One axial slice (29 of 304, counting up from the lowest) of an arterial-phase abdominal CT acquired with 100 kVp, kernel I30f; each pixel is 0.809 mm and the slice is 2.00 mm thick.
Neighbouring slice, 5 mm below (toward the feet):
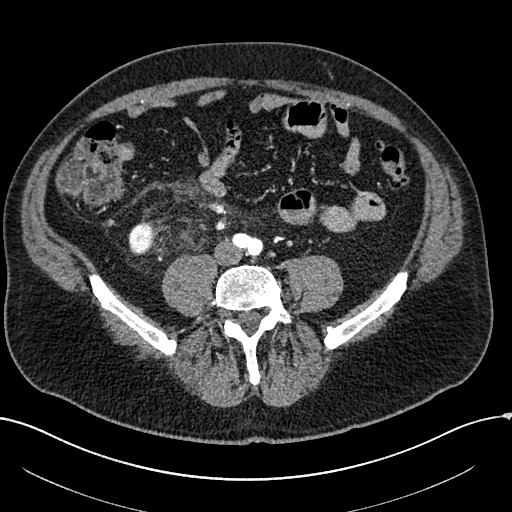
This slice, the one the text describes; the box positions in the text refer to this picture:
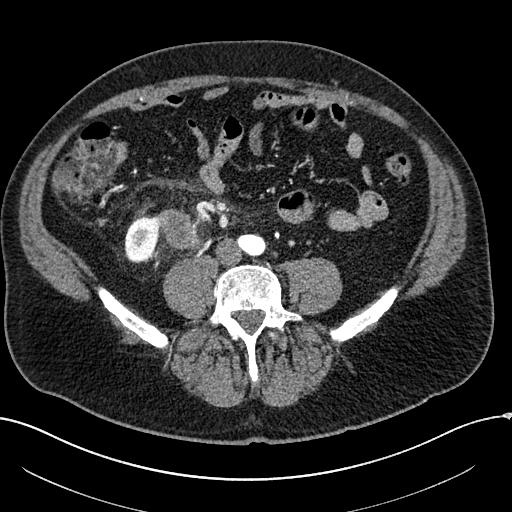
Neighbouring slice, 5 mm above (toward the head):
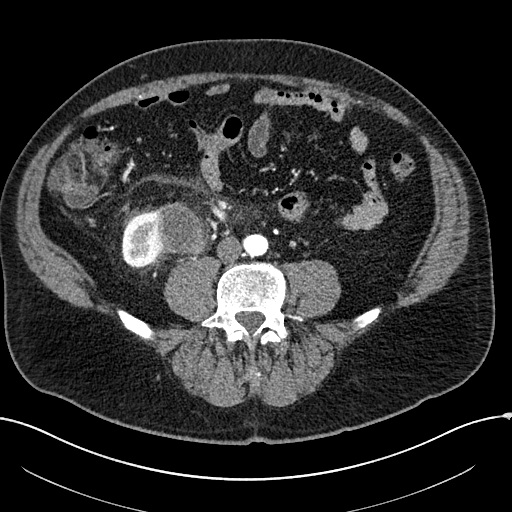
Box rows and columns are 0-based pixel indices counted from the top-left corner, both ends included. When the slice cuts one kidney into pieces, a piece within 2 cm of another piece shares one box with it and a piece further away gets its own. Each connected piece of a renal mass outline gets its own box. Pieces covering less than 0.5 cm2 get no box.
Two boxes on this slice (one kidney box and one renal mass box), listed by box centre from the image's left to its right. (1) Right kidney at rows 217–262, columns 124–159 (outlined area 1,224 px, about 8.0 cm2). (2) Box rows 208–249, columns 154–202: right renal mass (outlined area 1,387 px, about 9.1 cm2). This slice lies near the end of the right renal mass toward the feet; the slices 5 mm below and 5 mm above it are shown too, and the boxes mark positions on this slice only.